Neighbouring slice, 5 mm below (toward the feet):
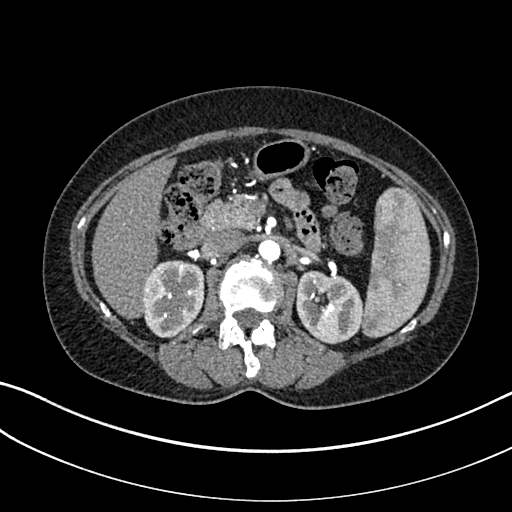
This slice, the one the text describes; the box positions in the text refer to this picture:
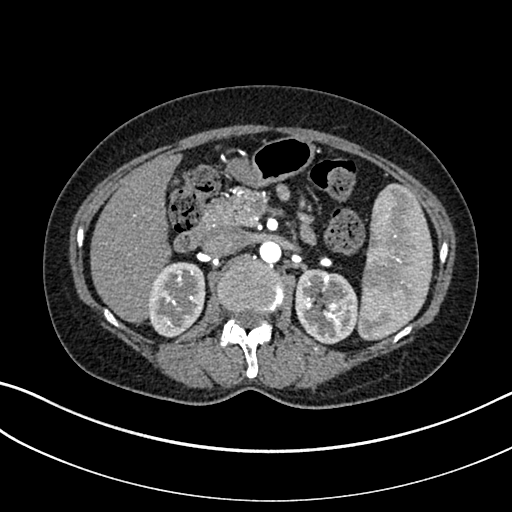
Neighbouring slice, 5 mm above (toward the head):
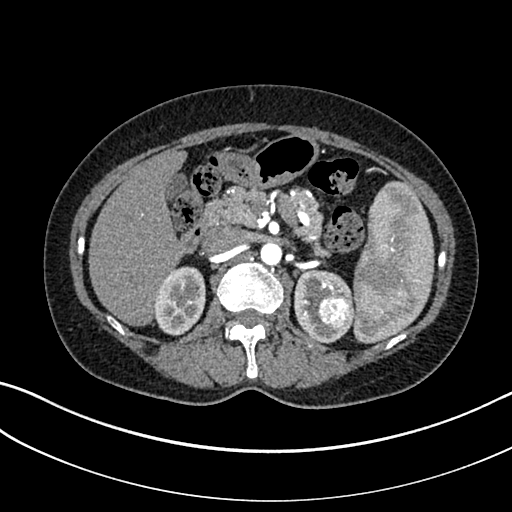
One axial slice (194 of 325, counting up from the lowest) of an arterial-phase abdominal CT acquired with 100 kVp, kernel I30f; each pixel is 0.703 mm and the slice is 1.00 mm thick.
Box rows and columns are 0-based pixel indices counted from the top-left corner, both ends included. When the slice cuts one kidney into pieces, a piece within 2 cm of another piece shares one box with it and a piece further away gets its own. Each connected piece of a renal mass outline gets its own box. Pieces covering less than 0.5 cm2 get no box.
Boxed on this slice (two kidney boxes and one renal mass box), listed by box centre from the image's left to its right: (1) Right kidney at rows 262–337, columns 148–205 (outlined area 3,467 px, about 17.1 cm2). (2) Left kidney, box rows 269–344, columns 295–358 (outlined area 3,556 px, about 17.6 cm2). (3) Left renal mass at rows 304–322, columns 323–341 (outlined area 281 px, about 1.4 cm2). This slice lies near the end of the left renal mass toward the feet; the slices 5 mm below and 5 mm above it are shown too, and the boxes mark positions on this slice only.